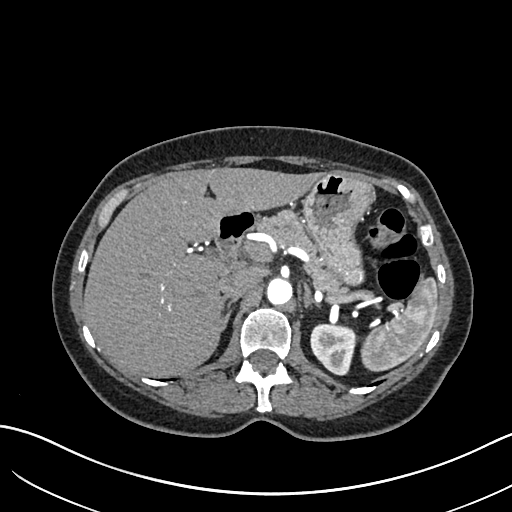
Abdominal CT with intravenous contrast, arterial phase, axial plane, 120 kVp, kernel I30f. Slice 459/683 from the bottom of the scan; thickness 1.00 mm; pixel size 0.738 mm.
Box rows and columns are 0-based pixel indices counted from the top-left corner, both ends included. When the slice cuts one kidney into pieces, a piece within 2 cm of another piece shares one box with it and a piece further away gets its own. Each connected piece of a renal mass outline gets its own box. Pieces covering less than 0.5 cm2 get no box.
Left kidney, box rows 324–375, columns 310–355 (outlined area 1,848 px, about 10.1 cm2). No renal mass outline on this slice.